One axial slice (378 of 670, counting up from the lowest) of an arterial-phase abdominal CT acquired with 120 kVp, kernel I30f; each pixel is 0.861 mm and the slice is 1.00 mm thick.
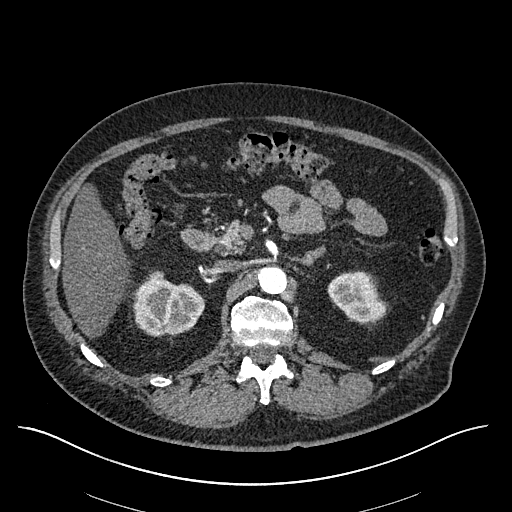
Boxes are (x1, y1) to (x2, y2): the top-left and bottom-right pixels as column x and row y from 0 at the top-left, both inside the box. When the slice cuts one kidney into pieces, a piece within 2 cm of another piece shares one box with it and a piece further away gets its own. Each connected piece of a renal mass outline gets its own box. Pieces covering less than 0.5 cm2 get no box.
Boxed on this slice (two kidney boxes), listed by box centre from the image's left to its right: (1) Right kidney from (133, 270) to (204, 336) (outlined area 3,426 px, about 25.4 cm2). (2) Left kidney, box (327, 270) to (385, 323) (outlined area 2,213 px, about 16.4 cm2). This slice carries no renal mass outline.